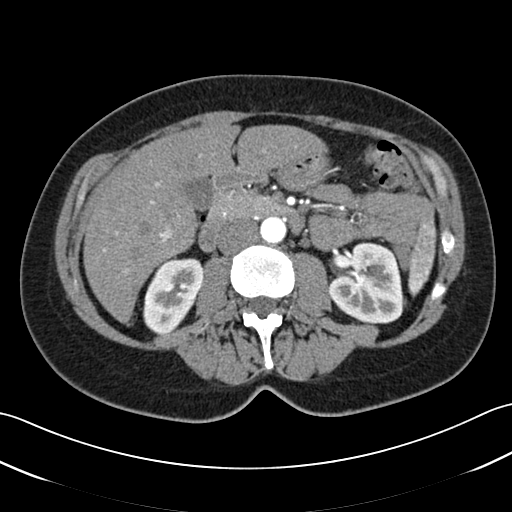
One axial slice (19 of 52, counting up from the lowest) of an arterial-phase abdominal CT acquired with 120 kVp, kernel B30f; each pixel is 0.678 mm and the slice is 3.00 mm thick.
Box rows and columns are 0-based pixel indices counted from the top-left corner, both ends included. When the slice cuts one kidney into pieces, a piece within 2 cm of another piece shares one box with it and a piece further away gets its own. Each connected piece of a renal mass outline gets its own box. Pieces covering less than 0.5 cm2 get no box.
Boxed on this slice (two kidney boxes), listed by box centre from the image's left to its right: (1) Box rows 258–334, columns 143–203: right kidney (outlined area 3,323 px, about 15.3 cm2). (2) Box rows 242–324, columns 327–402: left kidney (outlined area 4,744 px, about 21.8 cm2). No renal mass outline on this slice.